Axial slice 68 of 131 of a contrast-enhanced abdominal CT in the arterial phase (slice 1 is the lowest), 120 kVp, kernel B41f; 5.00 mm slice thickness and 0.760 mm pixels.
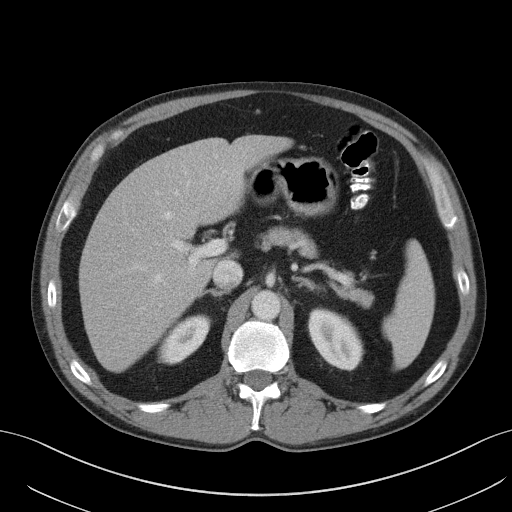
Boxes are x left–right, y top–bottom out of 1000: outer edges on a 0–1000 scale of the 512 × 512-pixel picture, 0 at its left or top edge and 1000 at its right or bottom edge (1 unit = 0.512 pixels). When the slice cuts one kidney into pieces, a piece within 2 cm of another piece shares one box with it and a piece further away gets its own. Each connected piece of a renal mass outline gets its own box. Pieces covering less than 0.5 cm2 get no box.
Two kidney boxes on this slice; by box centre, from the image's left to its right: (1) Right kidney at x 311–410, y 615–711 out of 1000 (outlined area 1,706 px, about 9.8 cm2). (2) Left kidney at x 602–709, y 602–725 out of 1000 (outlined area 2,387 px, about 13.8 cm2). No renal mass is outlined on this slice.